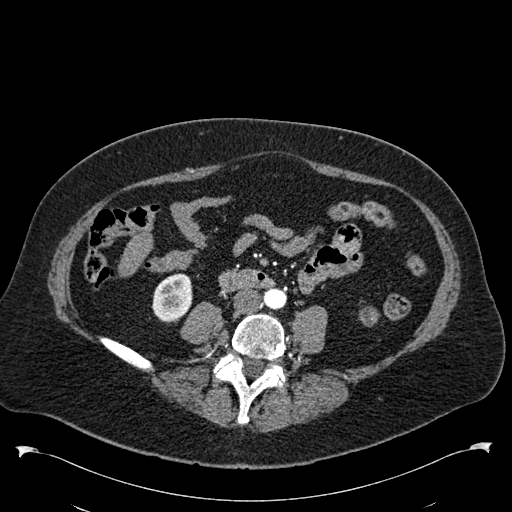
One axial slice (212 of 538, counting up from the lowest) of an arterial-phase abdominal CT acquired with 120 kVp, kernel B30f; each pixel is 0.811 mm and the slice is 1.00 mm thick.
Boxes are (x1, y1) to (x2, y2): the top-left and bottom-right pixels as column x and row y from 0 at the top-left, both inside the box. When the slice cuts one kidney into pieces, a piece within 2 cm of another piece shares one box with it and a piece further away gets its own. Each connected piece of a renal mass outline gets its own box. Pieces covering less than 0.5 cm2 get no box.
One kidney box and one renal mass box on this slice; by box centre, from the image's left to its right: (1) Box (152, 273) to (192, 323): right kidney (outlined area 1,599 px, about 10.5 cm2). (2) Left renal mass, box (359, 306) to (379, 326) (outlined area 314 px, about 2.1 cm2); it sits over 1 cm from every kidney outline on this slice, but the same outlined renal mass comes within 1 cm of the kidney on another slice.